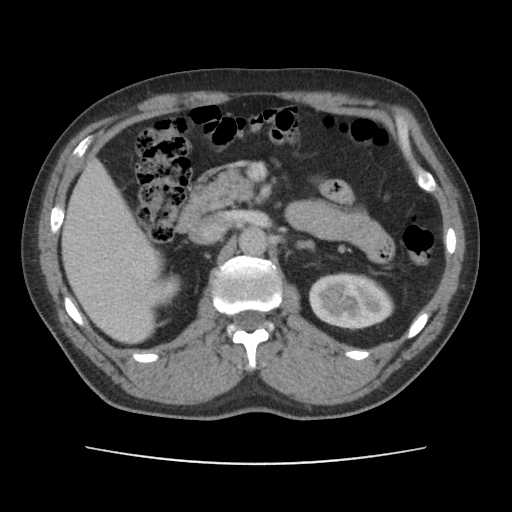
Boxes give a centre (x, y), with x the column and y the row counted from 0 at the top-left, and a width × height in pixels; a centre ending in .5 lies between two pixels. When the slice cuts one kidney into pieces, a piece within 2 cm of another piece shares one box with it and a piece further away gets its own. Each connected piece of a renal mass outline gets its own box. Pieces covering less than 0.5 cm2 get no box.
Arterial-phase contrast-enhanced abdominal CT, axial slice 72 of 101 (counted from the lowest slice); 5.00 mm thick, 0.755 mm per pixel. Boxed on this slice (two kidney boxes), listed by box centre from the image's left to its right: (1) Right kidney in a box with centre (163, 289), 35 × 33 pixels (outlined area 833 px, about 4.7 cm2). (2) Box centre (351, 301), 87 × 59 pixels: left kidney (outlined area 3,831 px, about 21.8 cm2). This slice carries no renal mass outline.
Acquired at 120 kVp and reconstructed with the FC14 kernel.